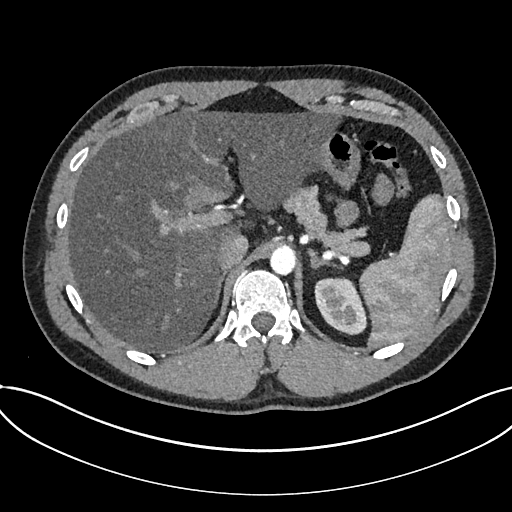
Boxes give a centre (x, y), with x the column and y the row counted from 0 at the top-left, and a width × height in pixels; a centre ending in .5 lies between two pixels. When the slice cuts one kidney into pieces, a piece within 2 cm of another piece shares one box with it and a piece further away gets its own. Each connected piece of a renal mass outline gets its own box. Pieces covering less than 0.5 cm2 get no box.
Slice 563/735 of a contrast-enhanced abdominal CT in the arterial phase, counting up from the lowest; pixel size 0.789 mm, slice thickness 1.00 mm. Kidney, box centre (339.5, 306), 52 × 59 pixels (outlined area 2,274 px, about 14.2 cm2). No renal mass is outlined on this slice.
Scan settings: 120 kVp, I30f reconstruction kernel.